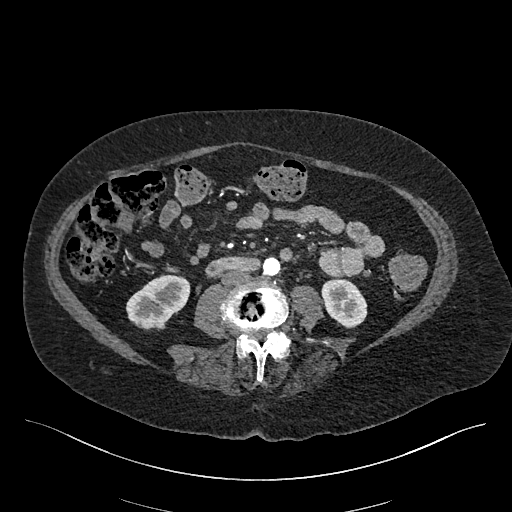
Arterial-phase contrast-enhanced abdominal CT, axial slice 176 of 548 (counted from the lowest slice); tube voltage 120 kVp, convolution kernel I26f; slices 1.00 mm thick, 0.852 mm per pixel.
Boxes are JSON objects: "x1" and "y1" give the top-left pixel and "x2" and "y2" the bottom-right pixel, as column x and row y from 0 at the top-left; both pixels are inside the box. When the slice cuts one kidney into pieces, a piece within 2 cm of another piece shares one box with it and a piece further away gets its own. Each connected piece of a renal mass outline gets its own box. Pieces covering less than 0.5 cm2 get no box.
Boxed on this slice (two kidney boxes), listed by box centre from the image's left to its right: (1) Right kidney at {"x1": 126, "y1": 274, "x2": 189, "y2": 329} (outlined area 2,465 px, about 17.9 cm2). (2) Left kidney at {"x1": 321, "y1": 278, "x2": 367, "y2": 328} (outlined area 1,724 px, about 12.5 cm2). No renal mass is outlined on this slice.